Abdominal CT with intravenous contrast, arterial phase, axial plane, 120 kVp, kernel I30f. Slice 311/673 from the bottom of the scan; thickness 1.00 mm; pixel size 0.855 mm.
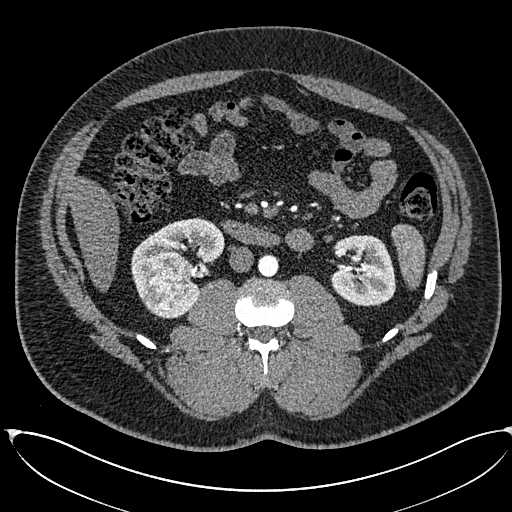
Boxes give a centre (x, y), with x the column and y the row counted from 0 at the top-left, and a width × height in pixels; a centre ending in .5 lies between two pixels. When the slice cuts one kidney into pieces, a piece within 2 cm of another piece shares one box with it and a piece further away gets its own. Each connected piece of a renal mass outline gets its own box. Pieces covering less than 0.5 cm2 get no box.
Three boxes on this slice (two kidney boxes and one renal mass box), listed by box centre from the image's left to its right. (1) Right renal mass in a box with centre (169.5, 280.5), 44 × 60 pixels (outlined area 2,268 px, about 16.6 cm2). (2) Right kidney, box centre (177.5, 267.5), 94 × 102 pixels (outlined area 4,158 px, about 30.4 cm2). (3) Left kidney in a box with centre (362.5, 270.5), 66 × 72 pixels (outlined area 3,731 px, about 27.3 cm2).